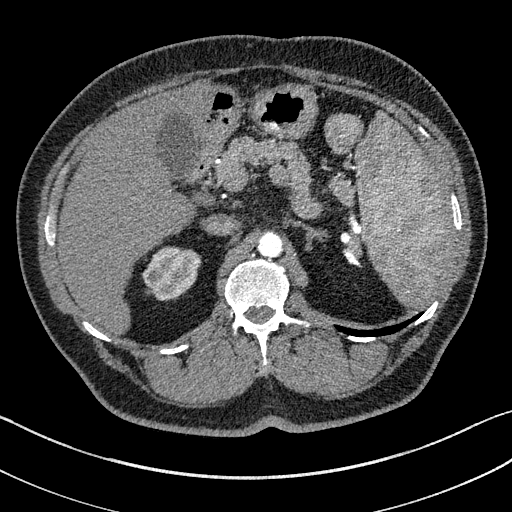
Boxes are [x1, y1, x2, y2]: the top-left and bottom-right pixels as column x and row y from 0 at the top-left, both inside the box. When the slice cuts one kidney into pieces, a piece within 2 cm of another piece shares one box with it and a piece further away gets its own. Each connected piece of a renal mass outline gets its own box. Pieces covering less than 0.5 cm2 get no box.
Arterial-phase contrast-enhanced abdominal CT, axial slice 109 of 195 (counted from the lowest slice); 1.50 mm thick, 0.707 mm per pixel. Right kidney at [142, 247, 200, 300] (outlined area 2,279 px, about 11.4 cm2). No renal mass is outlined on this slice.
Tube voltage 100 kVp; convolution kernel I31f.